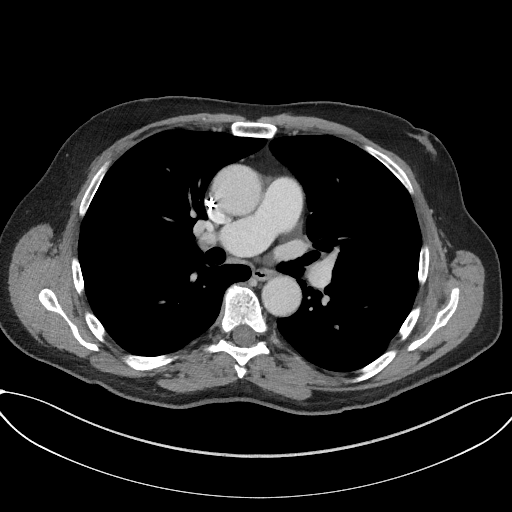
One axial slice (169 of 227, counting up from the lowest) of an arterial-phase abdominal CT acquired with 120 kVp, kernel I31f; each pixel is 0.816 mm and the slice is 3.00 mm thick.
Outside the outlined region: no kidney outline and no renal mass outline on this slice. The scan's outlines cover only kidneys and renal masses; no other organ is outlined.